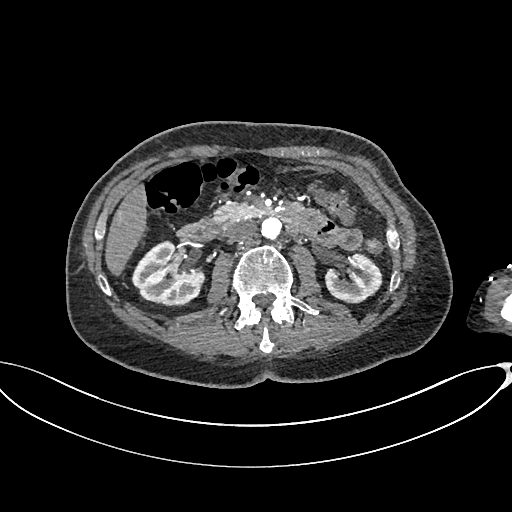
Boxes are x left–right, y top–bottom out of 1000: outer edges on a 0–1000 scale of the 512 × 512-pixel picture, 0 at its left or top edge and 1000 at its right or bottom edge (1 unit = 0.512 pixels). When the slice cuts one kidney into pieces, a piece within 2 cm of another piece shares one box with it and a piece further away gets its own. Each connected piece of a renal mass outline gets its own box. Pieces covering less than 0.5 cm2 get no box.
This is axial slice 382 of 665 (slice 1 is the lowest) of an arterial-phase abdominal CT with contrast; each pixel is 0.828 mm and the slice is 1.00 mm thick. Two kidney boxes on this slice; by box centre, from the image's left to its right: (1) Right kidney at x 256–402, y 471–600 out of 1000 (outlined area 3,371 px, about 23.1 cm2). (2) Left kidney, box x 635–748, y 494–594 out of 1000 (outlined area 2,122 px, about 14.6 cm2). No renal mass is outlined on this slice.
Acquired at 100 kVp and reconstructed with the I26f kernel.